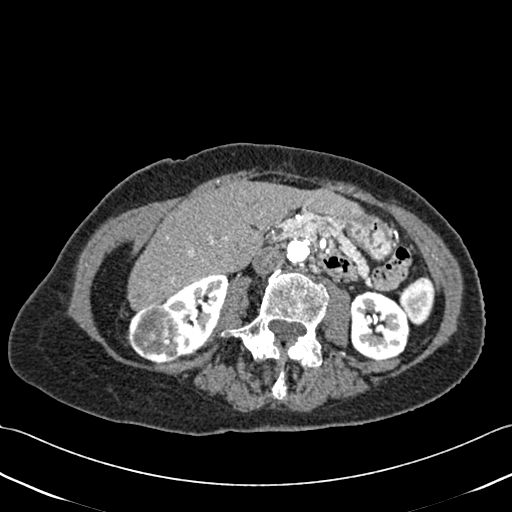
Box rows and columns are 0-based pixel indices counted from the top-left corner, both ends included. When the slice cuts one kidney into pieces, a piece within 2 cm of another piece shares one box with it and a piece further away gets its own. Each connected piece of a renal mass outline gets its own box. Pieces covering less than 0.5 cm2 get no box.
Contrast-enhanced abdominal CT, axial slice 212 of 433 (counted from the lowest slice); 1.00 mm thick, 0.672 mm per pixel. Two kidney boxes and one renal mass box on this slice; by box centre, from the image's left to its right: (1) Right renal mass at rows 303–362, columns 126–183 (outlined area 2,644 px, about 11.9 cm2). (2) Box rows 274–360, columns 161–229: right kidney (outlined area 3,022 px, about 13.6 cm2). (3) Left kidney at rows 290–359, columns 350–409 (outlined area 3,366 px, about 15.2 cm2).
Acquired at 120 kVp and reconstructed with the B30f kernel.